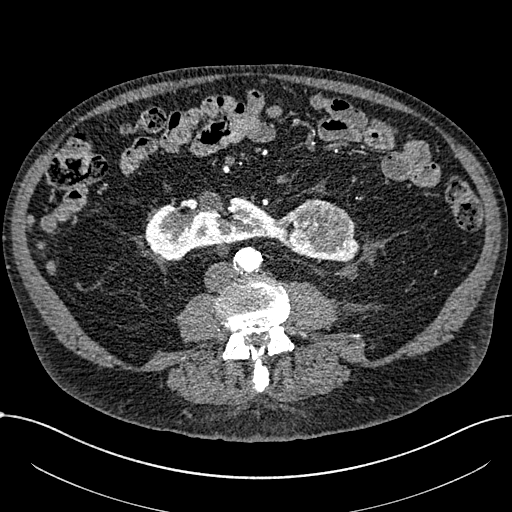
Axial slice 283 of 1059 of a contrast-enhanced abdominal CT in the arterial phase (slice 1 is the lowest), 100 kVp, kernel I30f; 1.00 mm slice thickness and 0.811 mm pixels.
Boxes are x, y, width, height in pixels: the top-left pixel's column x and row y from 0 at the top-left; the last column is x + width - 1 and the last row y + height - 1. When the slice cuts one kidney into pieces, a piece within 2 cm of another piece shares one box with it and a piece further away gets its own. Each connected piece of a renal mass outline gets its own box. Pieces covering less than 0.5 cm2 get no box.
One kidney box and one renal mass box on this slice; by box centre, from the image's left to its right: (1) Kidney crossing the body midline, box x 145, y 196, width 215, height 66 (outlined area 7,275 px, about 47.8 cm2). (2) Box x 298, y 199, width 56, height 54: renal mass (outlined area 2,254 px, about 14.8 cm2).